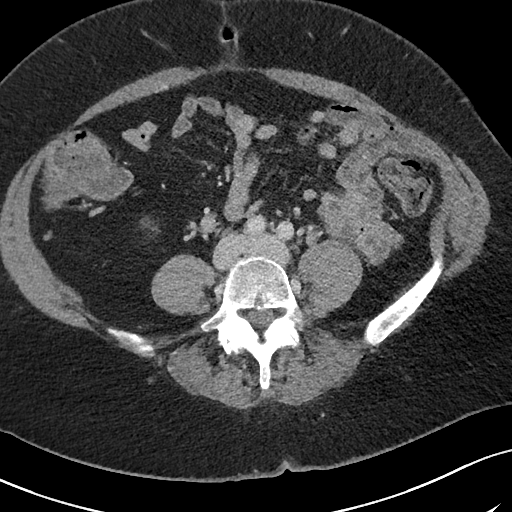
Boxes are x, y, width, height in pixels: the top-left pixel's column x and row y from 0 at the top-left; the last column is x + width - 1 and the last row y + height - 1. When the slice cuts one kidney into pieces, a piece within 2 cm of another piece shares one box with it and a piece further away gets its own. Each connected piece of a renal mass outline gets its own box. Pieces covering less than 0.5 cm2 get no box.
Slice 19/69 of a contrast-enhanced abdominal CT in the arterial phase, counting up from the lowest; pixel size 0.664 mm, slice thickness 3.00 mm. Box x 140, y 217, width 20, height 16: right kidney (outlined area 133 px, about 0.6 cm2). No renal mass is outlined on this slice.
Scan settings: 120 kVp, I40f reconstruction kernel.